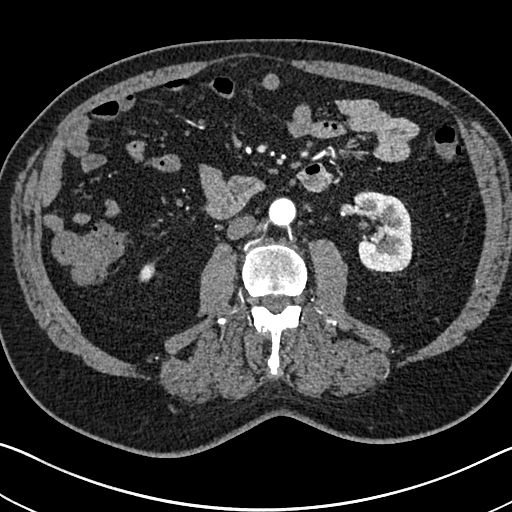
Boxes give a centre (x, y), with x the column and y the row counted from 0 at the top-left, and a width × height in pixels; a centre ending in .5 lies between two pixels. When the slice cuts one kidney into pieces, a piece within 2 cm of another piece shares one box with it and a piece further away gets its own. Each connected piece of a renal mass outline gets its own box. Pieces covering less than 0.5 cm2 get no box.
Arterial-phase contrast-enhanced abdominal CT, axial slice 348 of 705 (counted from the lowest slice); 1.00 mm thick, 0.703 mm per pixel. Two boxes on this slice (two kidney boxes), listed by box centre from the image's left to its right. (1) Box centre (146.5, 272), 16 × 19 pixels: right kidney (outlined area 232 px, about 1.1 cm2). (2) Left kidney, box centre (382.5, 231), 60 × 83 pixels (outlined area 3,827 px, about 18.9 cm2). No renal mass is outlined on this slice.
Acquired at 120 kVp and reconstructed with the I30f kernel.